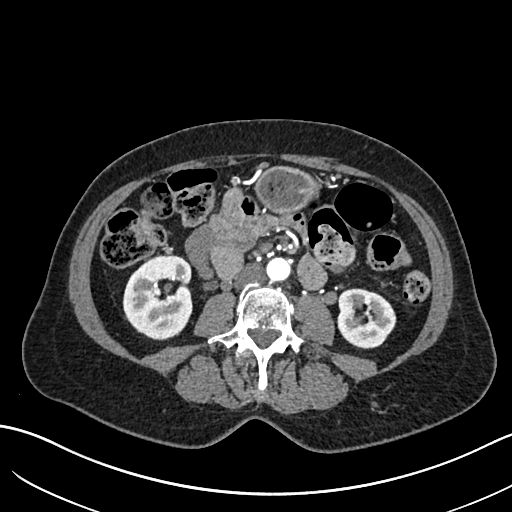
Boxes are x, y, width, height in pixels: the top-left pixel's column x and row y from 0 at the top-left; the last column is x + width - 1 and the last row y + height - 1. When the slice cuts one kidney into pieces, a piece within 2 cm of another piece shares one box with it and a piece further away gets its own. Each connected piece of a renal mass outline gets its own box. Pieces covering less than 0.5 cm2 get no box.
Arterial-phase contrast-enhanced abdominal CT, axial slice 313 of 683 (counted from the lowest slice); 1.00 mm thick, 0.738 mm per pixel. Boxed on this slice (two kidney boxes), listed by box centre from the image's left to its right: (1) Box x 122, y 255, width 71, height 86: right kidney (outlined area 4,692 px, about 25.6 cm2). (2) Left kidney, box x 338, y 288, width 59, height 61 (outlined area 2,776 px, about 15.1 cm2). This slice carries no renal mass outline.
Scan settings: 120 kVp, I30f reconstruction kernel.